Abdominal CT with intravenous contrast, axial plane, 120 kVp, kernel B30f. Slice 48/92 from the bottom of the scan; thickness 5.00 mm; pixel size 0.918 mm.
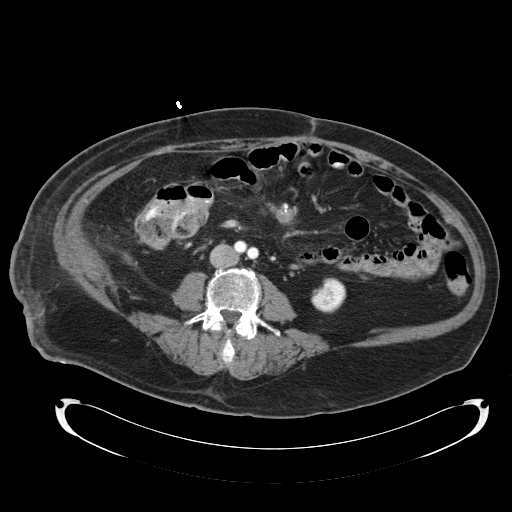
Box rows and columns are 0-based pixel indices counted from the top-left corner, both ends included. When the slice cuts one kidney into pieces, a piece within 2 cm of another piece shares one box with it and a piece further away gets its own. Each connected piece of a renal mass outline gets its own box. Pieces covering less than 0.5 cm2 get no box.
Left kidney, box rows 278–313, columns 311–346 (outlined area 929 px, about 7.8 cm2). No renal mass is outlined on this slice.